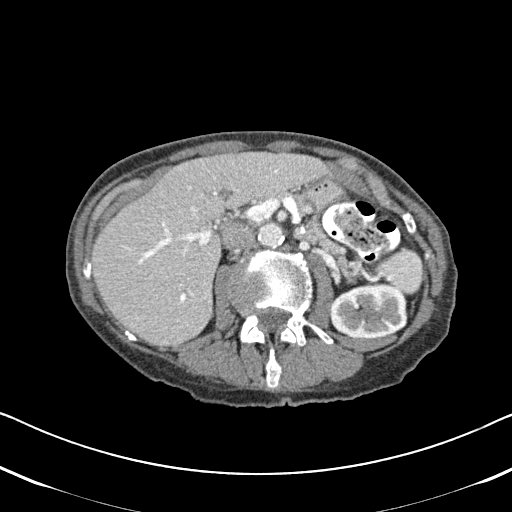
Abdominal CT with intravenous contrast, arterial phase, axial plane, 120 kVp, kernel B31f. Slice 301/620 from the bottom of the scan; thickness 2.00 mm; pixel size 0.637 mm.
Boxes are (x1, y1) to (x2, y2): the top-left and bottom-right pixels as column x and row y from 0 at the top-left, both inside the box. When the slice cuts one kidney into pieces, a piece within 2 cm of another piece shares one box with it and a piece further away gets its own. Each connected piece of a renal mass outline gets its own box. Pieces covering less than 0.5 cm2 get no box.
Left kidney, box (329, 283) to (407, 338) (outlined area 3,629 px, about 14.7 cm2). No renal mass is outlined on this slice.